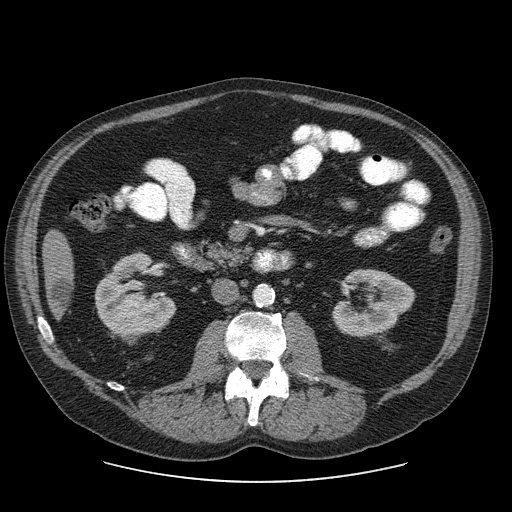
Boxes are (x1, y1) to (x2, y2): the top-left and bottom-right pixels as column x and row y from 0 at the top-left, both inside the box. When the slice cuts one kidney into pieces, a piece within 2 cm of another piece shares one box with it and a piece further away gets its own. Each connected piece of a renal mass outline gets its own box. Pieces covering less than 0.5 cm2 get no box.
This is axial slice 32 of 103 (slice 1 is the lowest) of an abdominal CT with contrast; each pixel is 0.820 mm and the slice is 2.50 mm thick. Two kidney boxes on this slice; by box centre, from the image's left to its right: (1) Right kidney from (94, 253) to (175, 345) (outlined area 4,646 px, about 31.3 cm2). (2) Box (331, 269) to (415, 337): left kidney (outlined area 3,895 px, about 26.2 cm2). This slice carries no renal mass outline.
Acquired at 120 kVp and reconstructed with the STANDARD kernel.